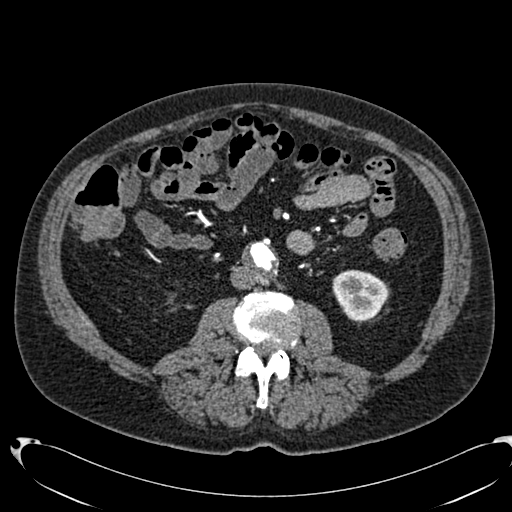
Arterial-phase contrast-enhanced abdominal CT, axial slice 337 of 553 (counted from the lowest slice); tube voltage 120 kVp, convolution kernel B20f; slices 1.00 mm thick, 0.773 mm per pixel.
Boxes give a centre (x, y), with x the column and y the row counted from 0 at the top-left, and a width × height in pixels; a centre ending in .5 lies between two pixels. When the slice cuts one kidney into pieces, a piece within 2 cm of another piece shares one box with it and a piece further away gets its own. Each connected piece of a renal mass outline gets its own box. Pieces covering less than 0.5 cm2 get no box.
Left kidney in a box with centre (359, 295), 55 × 53 pixels (outlined area 2,170 px, about 13.0 cm2). No renal mass is outlined on this slice.